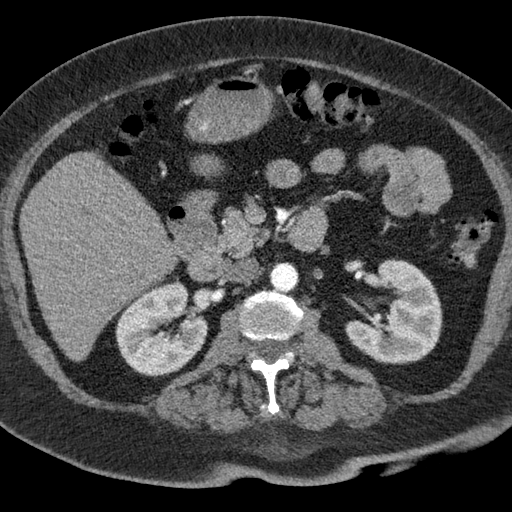
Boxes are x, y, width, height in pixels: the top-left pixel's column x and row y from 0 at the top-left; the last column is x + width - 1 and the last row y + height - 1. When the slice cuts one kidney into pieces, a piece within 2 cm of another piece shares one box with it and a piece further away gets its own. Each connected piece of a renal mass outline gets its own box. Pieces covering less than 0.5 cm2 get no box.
This is axial slice 36 of 76 (slice 1 is the lowest) of an abdominal CT with contrast; each pixel is 0.684 mm and the slice is 3.00 mm thick. Boxed on this slice (two kidney boxes), listed by box centre from the image's left to its right: (1) Right kidney, box x 115, y 280, width 94, height 97 (outlined area 6,315 px, about 29.5 cm2). (2) Left kidney at x 344, y 258, width 99, height 107 (outlined area 6,996 px, about 32.7 cm2). This slice carries no renal mass outline.
Scan settings: 120 kVp, B reconstruction kernel.